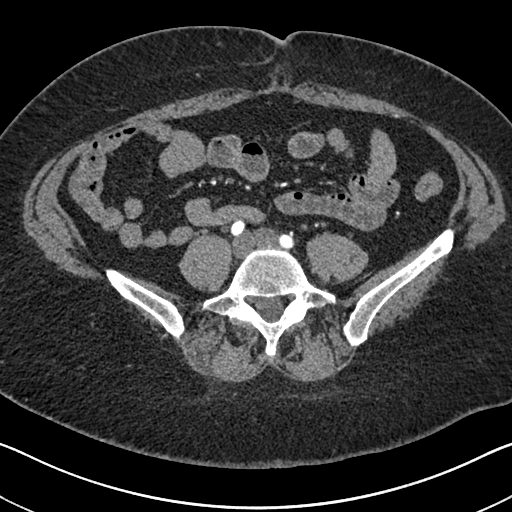
Arterial-phase contrast-enhanced abdominal CT, axial slice 197 of 591 (counted from the lowest slice); 1.00 mm thick, 0.703 mm per pixel. Neither a kidney nor a renal mass is outlined here. Only kidneys and renal masses are outlined anywhere in this scan; other structures are never outlined.
Tube voltage 140 kVp; convolution kernel I30f.